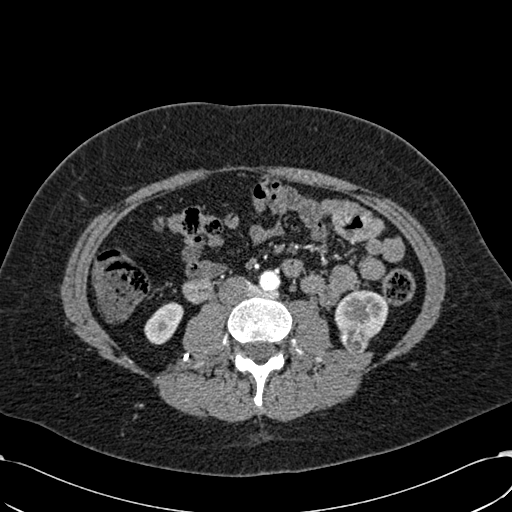
Abdominal CT with intravenous contrast, arterial phase, axial plane, 120 kVp, kernel B30f. Slice 276/532 from the bottom of the scan; thickness 1.00 mm; pixel size 0.713 mm.
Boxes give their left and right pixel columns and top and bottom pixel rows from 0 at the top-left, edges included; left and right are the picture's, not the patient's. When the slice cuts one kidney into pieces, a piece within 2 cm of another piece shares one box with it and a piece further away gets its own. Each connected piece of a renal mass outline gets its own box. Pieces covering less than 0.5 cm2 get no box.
Boxed on this slice (two kidney boxes and one renal mass box), listed by box centre from the image's left to its right: (1) Right kidney, the box with left 144, top 302, right 183, bottom 344 (outlined area 1,144 px, about 5.8 cm2). (2) Box with left 339, top 324, right 369, bottom 355: left renal mass (outlined area 700 px, about 3.6 cm2). (3) Left kidney in the box with left 334, top 289, right 390, bottom 338 (outlined area 1,849 px, about 9.4 cm2).